Axial slice 104 of 279 of a contrast-enhanced abdominal CT in the arterial phase (slice 1 is the lowest), 120 kVp, kernel B31f; 2.00 mm slice thickness and 0.824 mm pixels.
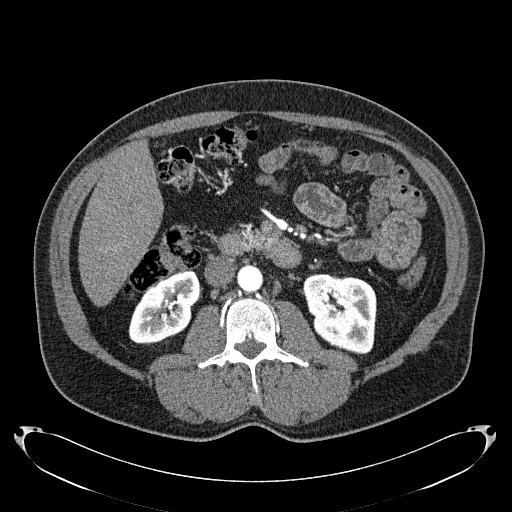
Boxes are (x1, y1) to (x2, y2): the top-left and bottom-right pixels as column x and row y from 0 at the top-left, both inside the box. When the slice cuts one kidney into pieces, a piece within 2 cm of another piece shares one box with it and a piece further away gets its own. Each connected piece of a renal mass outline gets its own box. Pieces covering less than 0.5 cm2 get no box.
Two kidney boxes on this slice; by box centre, from the image's left to its right: (1) Right kidney, box (128, 268) to (199, 343) (outlined area 3,602 px, about 24.5 cm2). (2) Left kidney from (301, 274) to (376, 354) (outlined area 4,672 px, about 31.7 cm2). This slice carries no renal mass outline.